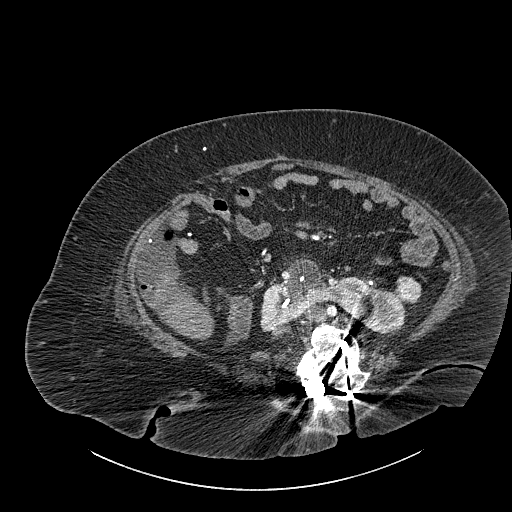
Contrast-enhanced abdominal CT, axial slice 480 of 834 (counted from the lowest slice); tube voltage 140 kVp, convolution kernel I30f; slices 1.00 mm thick, 0.977 mm per pixel.
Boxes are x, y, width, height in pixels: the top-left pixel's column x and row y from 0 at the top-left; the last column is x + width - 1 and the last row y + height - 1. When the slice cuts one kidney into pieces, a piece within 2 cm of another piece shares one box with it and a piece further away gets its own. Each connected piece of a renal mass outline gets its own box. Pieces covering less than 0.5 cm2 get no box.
Boxed on this slice (one kidney box and one renal mass box), listed by box centre from the image's left to its right: (1) Kidney crossing the body midline at x 260, y 258, width 147, height 76 (outlined area 5,754 px, about 54.9 cm2). (2) Renal mass, box x 394, y 276, width 28, height 28 (outlined area 616 px, about 5.9 cm2).